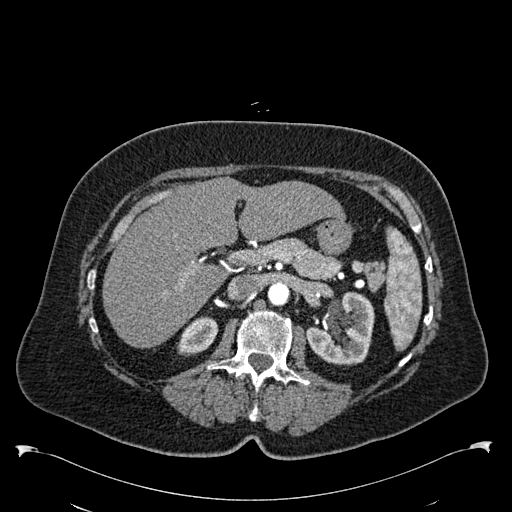
One axial slice (370 of 538, counting up from the lowest) of an arterial-phase abdominal CT acquired with 120 kVp, kernel B30f; each pixel is 0.811 mm and the slice is 1.00 mm thick.
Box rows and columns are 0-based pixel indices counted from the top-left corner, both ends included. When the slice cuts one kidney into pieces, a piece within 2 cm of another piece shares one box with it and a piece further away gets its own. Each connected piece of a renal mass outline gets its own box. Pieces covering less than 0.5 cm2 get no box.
Two kidney boxes on this slice; by box centre, from the image's left to its right: (1) Box rows 316–356, columns 177–218: right kidney (outlined area 1,141 px, about 7.5 cm2). (2) Left kidney at rows 291–365, columns 306–374 (outlined area 3,617 px, about 23.8 cm2). No renal mass is outlined on this slice.